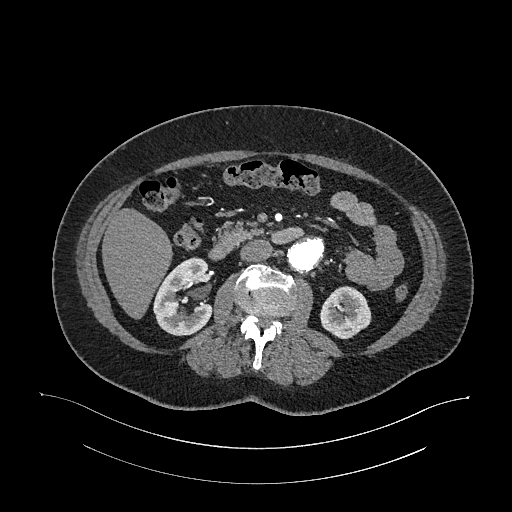
Abdominal CT with intravenous contrast, arterial phase, axial plane, 120 kVp, kernel I26f. Slice 621/987 from the bottom of the scan; thickness 1.00 mm; pixel size 0.977 mm.
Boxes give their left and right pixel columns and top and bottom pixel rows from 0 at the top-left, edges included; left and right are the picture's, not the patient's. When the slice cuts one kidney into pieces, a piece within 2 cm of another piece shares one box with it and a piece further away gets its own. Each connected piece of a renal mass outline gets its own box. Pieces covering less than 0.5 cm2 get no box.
Two kidney boxes on this slice; by box centre, from the image's left to its right: (1) Right kidney, the box with left 153, top 257, right 213, bottom 336 (outlined area 3,370 px, about 32.1 cm2). (2) Left kidney, the box with left 319, top 286, right 371, bottom 339 (outlined area 2,055 px, about 19.6 cm2). No renal mass outline on this slice.